Arterial-phase contrast-enhanced abdominal CT, axial slice 289 of 673 (counted from the lowest slice); tube voltage 120 kVp, convolution kernel I30f; slices 1.00 mm thick, 0.855 mm per pixel.
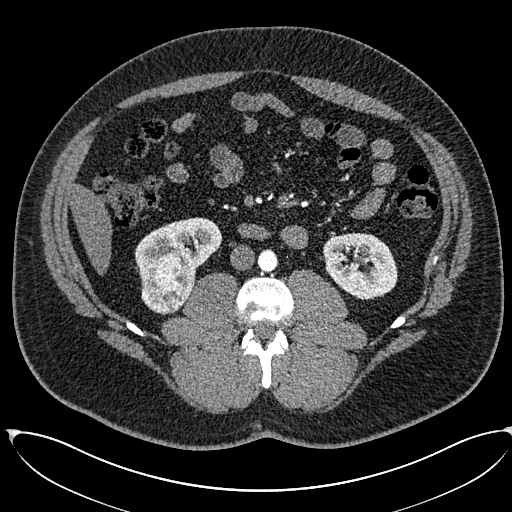
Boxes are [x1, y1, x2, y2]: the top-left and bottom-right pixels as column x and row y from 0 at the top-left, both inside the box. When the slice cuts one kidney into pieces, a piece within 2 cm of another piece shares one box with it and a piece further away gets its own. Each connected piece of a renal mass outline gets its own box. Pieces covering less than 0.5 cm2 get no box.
Two kidney boxes and one renal mass box on this slice; by box centre, from the image's left to its right: (1) Right renal mass, box [141, 254, 195, 313] (outlined area 2,495 px, about 18.3 cm2). (2) Box [134, 217, 222, 280]: right kidney (outlined area 3,095 px, about 22.7 cm2). (3) Left kidney at [323, 232, 397, 299] (outlined area 3,826 px, about 28.0 cm2).